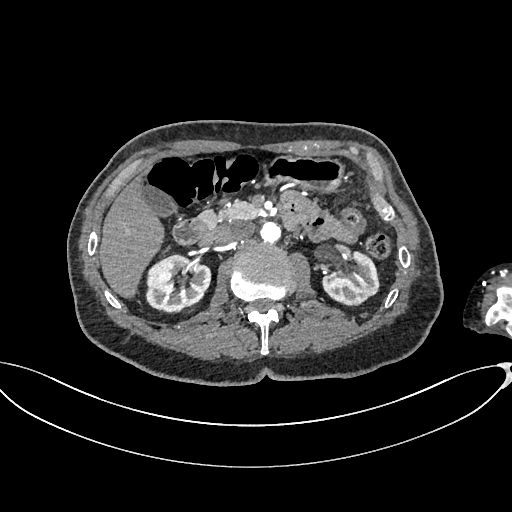
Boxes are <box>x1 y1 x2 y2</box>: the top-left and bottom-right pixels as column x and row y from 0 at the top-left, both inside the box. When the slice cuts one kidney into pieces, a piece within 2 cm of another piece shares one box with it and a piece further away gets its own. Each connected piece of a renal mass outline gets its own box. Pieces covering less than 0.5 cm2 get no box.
Slice 410/665 of a contrast-enhanced abdominal CT in the arterial phase, counting up from the lowest; pixel size 0.828 mm, slice thickness 1.00 mm. Boxed on this slice (two kidney boxes), listed by box centre from the image's left to its right: (1) At <box>145 254 211 313</box>: right kidney (outlined area 3,026 px, about 20.8 cm2). (2) At <box>321 250 380 306</box>: left kidney (outlined area 2,294 px, about 15.7 cm2). No renal mass outline on this slice.
Acquired at 100 kVp and reconstructed with the I26f kernel.